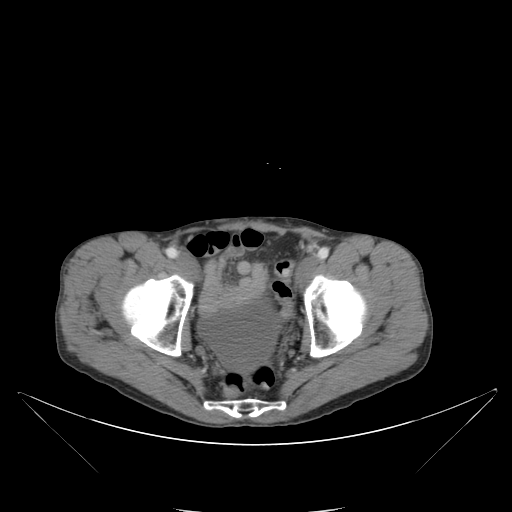
One axial slice (21 of 88, counting up from the lowest) of a contrast-enhanced abdominal CT acquired with 120 kVp, kernel B; each pixel is 0.865 mm and the slice is 5.00 mm thick.
Outside the outlined region: no kidney outline and no renal mass outline on this slice. The scan's outlines cover only kidneys and renal masses; no other organ is outlined.